Axial slice 52 of 143 of a contrast-enhanced abdominal CT (slice 1 is the lowest), 100 kVp, kernel I41f; 5.00 mm slice thickness and 0.734 mm pixels.
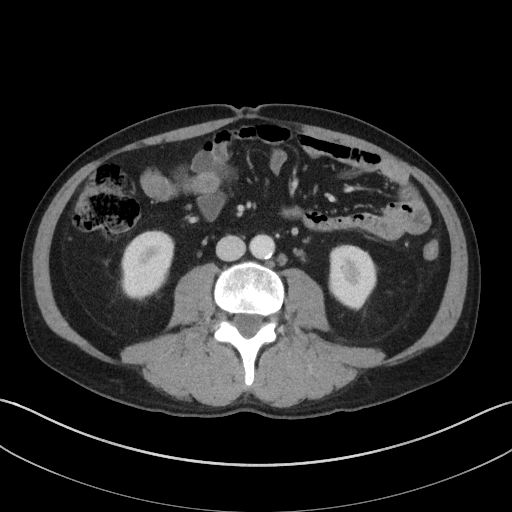
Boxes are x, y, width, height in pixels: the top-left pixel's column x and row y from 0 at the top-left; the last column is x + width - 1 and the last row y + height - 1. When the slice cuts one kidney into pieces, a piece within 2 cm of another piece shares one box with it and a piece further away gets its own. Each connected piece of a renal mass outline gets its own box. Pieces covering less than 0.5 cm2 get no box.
Two kidney boxes on this slice; by box centre, from the image's left to its right: (1) Box x 119, y 230, width 56, height 71: right kidney (outlined area 2,971 px, about 16.0 cm2). (2) Left kidney, box x 328, y 244, width 49, height 67 (outlined area 2,552 px, about 13.8 cm2). No renal mass is outlined on this slice.